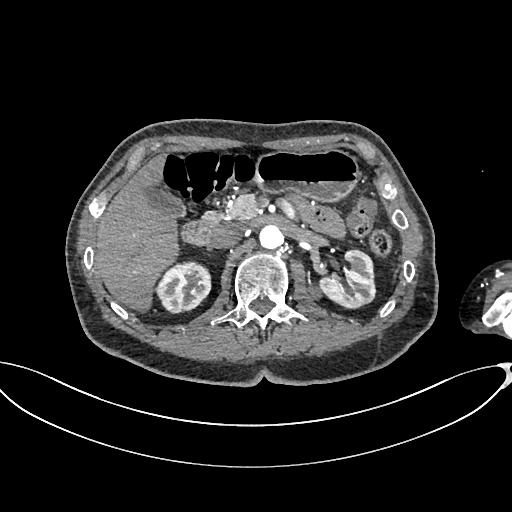
Arterial-phase contrast-enhanced abdominal CT, axial slice 432 of 665 (counted from the lowest slice); tube voltage 100 kVp, convolution kernel I26f; slices 1.00 mm thick, 0.828 mm per pixel.
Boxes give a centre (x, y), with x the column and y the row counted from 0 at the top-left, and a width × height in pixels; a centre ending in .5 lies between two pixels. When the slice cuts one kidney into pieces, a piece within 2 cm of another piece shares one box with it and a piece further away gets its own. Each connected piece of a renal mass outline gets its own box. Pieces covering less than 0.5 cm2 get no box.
Boxed on this slice (two kidney boxes and one renal mass box), listed by box centre from the image's left to its right: (1) Right kidney, box centre (183.5, 287), 56 × 53 pixels (outlined area 2,249 px, about 15.4 cm2). (2) Left renal mass, box centre (310.5, 291.5), 22 × 18 pixels (outlined area 295 px, about 2.0 cm2). (3) Left kidney in a box with centre (347, 278), 59 × 59 pixels (outlined area 2,268 px, about 15.6 cm2).